Axial slice 520 of 834 of a contrast-enhanced abdominal CT (slice 1 is the lowest), 140 kVp, kernel I30f; 1.00 mm slice thickness and 0.977 mm pixels.
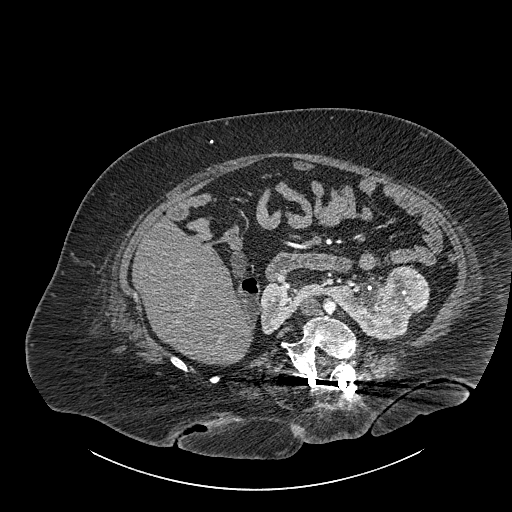
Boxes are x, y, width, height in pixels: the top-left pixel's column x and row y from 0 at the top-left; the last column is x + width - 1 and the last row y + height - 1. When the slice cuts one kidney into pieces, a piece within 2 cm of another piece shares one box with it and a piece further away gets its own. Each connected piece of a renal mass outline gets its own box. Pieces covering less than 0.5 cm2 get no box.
Boxed on this slice (one kidney box and one renal mass box), listed by box centre from the image's left to its right: (1) Kidney crossing the body midline, box x 260, y 282, width 153, height 58 (outlined area 4,495 px, about 42.9 cm2). (2) Box x 383, y 266, width 47, height 48: renal mass (outlined area 1,828 px, about 17.4 cm2).